Axial slice 438 of 723 of a contrast-enhanced abdominal CT in the arterial phase (slice 1 is the lowest), 120 kVp, kernel B30f; 1.00 mm slice thickness and 0.895 mm pixels.
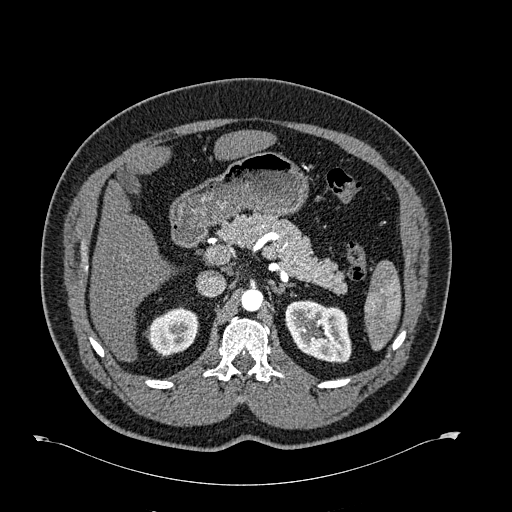
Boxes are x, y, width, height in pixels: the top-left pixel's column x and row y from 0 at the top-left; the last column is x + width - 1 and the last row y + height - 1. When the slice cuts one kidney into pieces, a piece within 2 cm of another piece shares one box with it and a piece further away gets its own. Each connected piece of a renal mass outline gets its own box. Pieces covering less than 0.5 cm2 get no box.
Two boxes on this slice (two kidney boxes), listed by box centre from the image's left to its right. (1) Right kidney at x 143, y 306, width 55, height 51 (outlined area 1,929 px, about 15.4 cm2). (2) Left kidney, box x 285, y 299, width 67, height 65 (outlined area 3,240 px, about 25.9 cm2). No renal mass outline on this slice.